Abdominal CT with intravenous contrast, arterial phase, axial plane, 120 kVp, kernel STANDARD. Slice 156/349 from the bottom of the scan; thickness 1.25 mm; pixel size 0.742 mm.
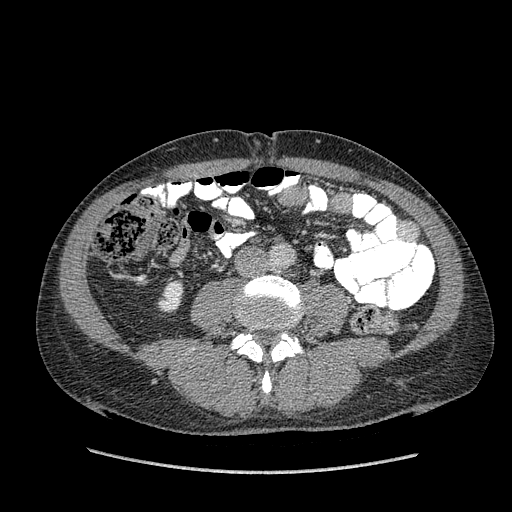
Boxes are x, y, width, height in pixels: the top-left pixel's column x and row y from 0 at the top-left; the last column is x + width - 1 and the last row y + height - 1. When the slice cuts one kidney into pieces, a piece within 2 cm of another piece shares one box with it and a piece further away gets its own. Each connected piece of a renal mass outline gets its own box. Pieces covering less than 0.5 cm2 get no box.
Box x 157, y 279, width 27, height 34: right kidney (outlined area 639 px, about 3.5 cm2). This slice carries no renal mass outline.